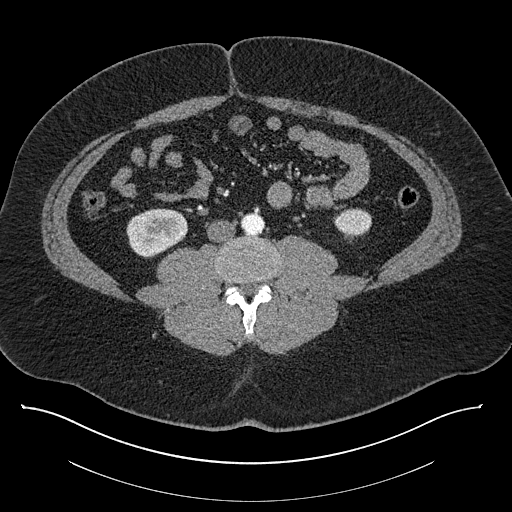
Axial slice 355 of 787 of a contrast-enhanced abdominal CT (slice 1 is the lowest), 140 kVp, kernel I30f; 1.00 mm slice thickness and 0.910 mm pixels.
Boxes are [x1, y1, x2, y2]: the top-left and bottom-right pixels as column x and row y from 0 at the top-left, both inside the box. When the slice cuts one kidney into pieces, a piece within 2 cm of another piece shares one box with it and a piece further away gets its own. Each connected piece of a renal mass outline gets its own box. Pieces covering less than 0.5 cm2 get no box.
Two boxes on this slice (two kidney boxes), listed by box centre from the image's left to its right. (1) Box [126, 208, 188, 255]: right kidney (outlined area 2,261 px, about 18.7 cm2). (2) Left kidney, box [333, 208, 371, 236] (outlined area 874 px, about 7.2 cm2). No renal mass is outlined on this slice.